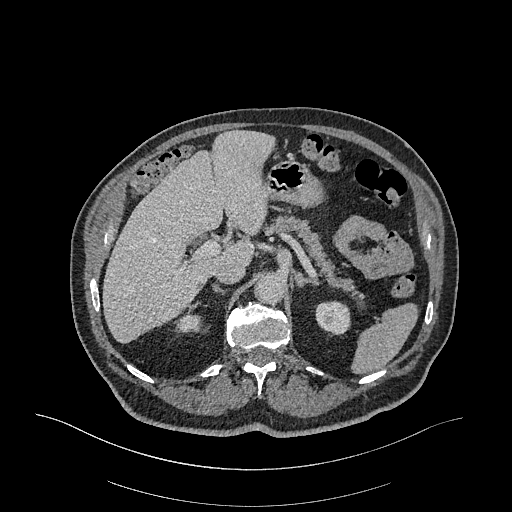
Arterial-phase contrast-enhanced abdominal CT, axial slice 247 of 470 (counted from the lowest slice); tube voltage 120 kVp, convolution kernel I26f; slices 1.00 mm thick, 0.938 mm per pixel.
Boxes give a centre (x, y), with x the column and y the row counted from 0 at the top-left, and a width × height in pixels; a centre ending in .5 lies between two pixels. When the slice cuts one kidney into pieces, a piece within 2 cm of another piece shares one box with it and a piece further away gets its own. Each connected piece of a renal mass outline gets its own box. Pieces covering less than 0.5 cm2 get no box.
Boxed on this slice (two kidney boxes), listed by box centre from the image's left to its right: (1) Right kidney, box centre (188, 323), 21 × 15 pixels (outlined area 257 px, about 2.3 cm2). (2) Left kidney in a box with centre (332.5, 318), 36 × 37 pixels (outlined area 1,021 px, about 9.0 cm2). This slice carries no renal mass outline.